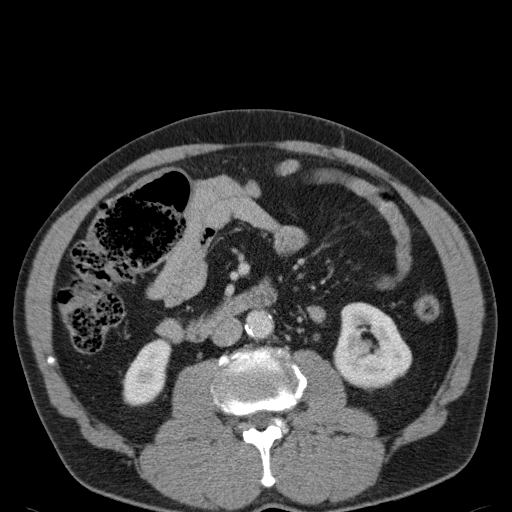
One axial slice (61 of 107, counting up from the lowest) of a contrast-enhanced abdominal CT acquired with 120 kVp, kernel B31f; each pixel is 0.730 mm and the slice is 5.00 mm thick.
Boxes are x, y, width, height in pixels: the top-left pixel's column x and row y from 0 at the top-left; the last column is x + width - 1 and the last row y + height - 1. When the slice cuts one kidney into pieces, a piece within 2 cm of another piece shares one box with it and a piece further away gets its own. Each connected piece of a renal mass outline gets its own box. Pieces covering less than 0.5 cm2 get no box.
Boxed on this slice (two kidney boxes), listed by box centre from the image's left to its right: (1) Right kidney at x 122, y 338, width 50, height 69 (outlined area 2,327 px, about 12.4 cm2). (2) Left kidney at x 333, y 302, width 80, height 90 (outlined area 5,024 px, about 26.8 cm2). No renal mass is outlined on this slice.